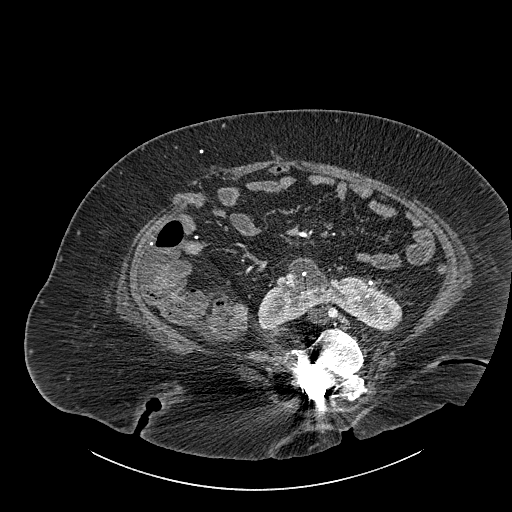
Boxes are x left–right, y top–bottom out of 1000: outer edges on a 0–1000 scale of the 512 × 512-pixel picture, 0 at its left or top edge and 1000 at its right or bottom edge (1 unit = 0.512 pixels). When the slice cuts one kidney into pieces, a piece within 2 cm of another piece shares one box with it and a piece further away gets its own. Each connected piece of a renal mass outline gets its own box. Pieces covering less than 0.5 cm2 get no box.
Contrast-enhanced abdominal CT, axial slice 465 of 834 (counted from the lowest slice); 1.00 mm thick, 0.977 mm per pixel. Kidney crossing the body midline at x 502–787, y 502–646 out of 1000 (outlined area 5,764 px, about 55.0 cm2). No renal mass is outlined on this slice.
Acquired at 140 kVp and reconstructed with the I30f kernel.